Axial slice 271 of 538 of a contrast-enhanced abdominal CT in the arterial phase (slice 1 is the lowest), 120 kVp, kernel B30f; 1.00 mm slice thickness and 0.811 mm pixels.
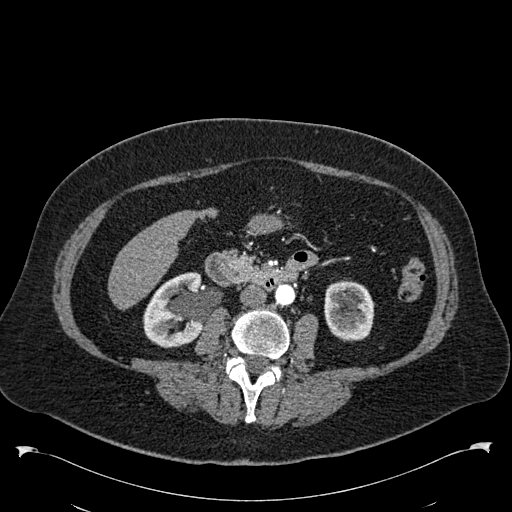
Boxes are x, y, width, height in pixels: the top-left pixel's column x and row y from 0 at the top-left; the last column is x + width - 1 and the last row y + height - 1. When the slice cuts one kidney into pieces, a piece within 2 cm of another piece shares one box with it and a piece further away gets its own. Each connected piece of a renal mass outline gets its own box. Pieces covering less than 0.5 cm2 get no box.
Boxed on this slice (two kidney boxes), listed by box centre from the image's left to its right: (1) Right kidney at x 143, y 272, width 60, height 77 (outlined area 3,505 px, about 23.0 cm2). (2) Left kidney, box x 324, y 280, width 51, height 62 (outlined area 2,570 px, about 16.9 cm2). This slice carries no renal mass outline.